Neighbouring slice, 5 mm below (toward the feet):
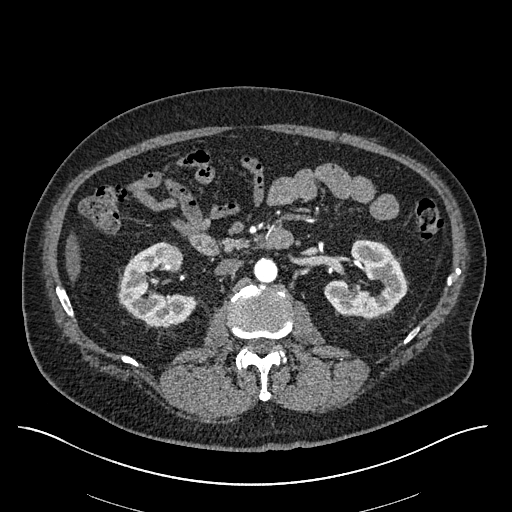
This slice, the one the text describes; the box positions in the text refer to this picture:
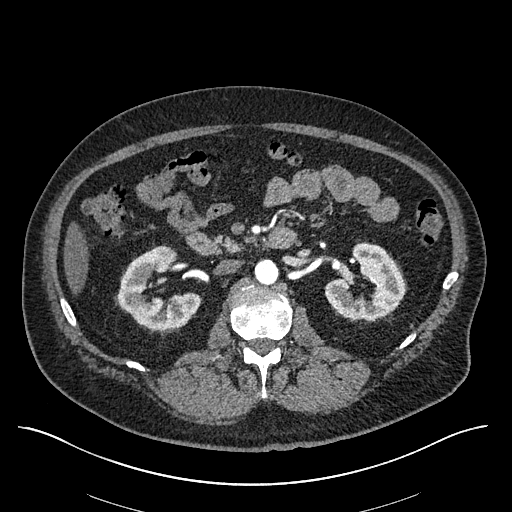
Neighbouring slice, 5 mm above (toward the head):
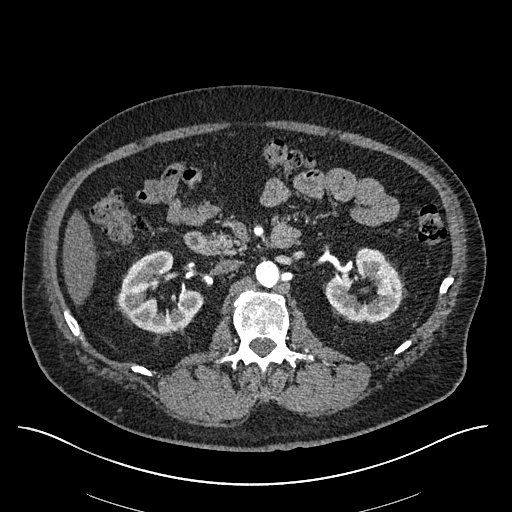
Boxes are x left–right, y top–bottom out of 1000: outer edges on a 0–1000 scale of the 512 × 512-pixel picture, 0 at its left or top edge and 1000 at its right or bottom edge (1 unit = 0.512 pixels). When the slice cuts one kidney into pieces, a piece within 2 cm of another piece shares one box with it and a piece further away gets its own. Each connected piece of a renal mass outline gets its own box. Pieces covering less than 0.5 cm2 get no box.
Arterial-phase contrast-enhanced abdominal CT, axial slice 333 of 670 (counted from the lowest slice); 1.00 mm thick, 0.861 mm per pixel. Boxed on this slice (two kidney boxes and one renal mass box), listed by box centre from the image's left to its right: (1) Box x 229–393, y 479–645 out of 1000: right kidney (outlined area 3,983 px, about 29.5 cm2). (2) Box x 320–352, y 486–514 out of 1000: right renal mass (outlined area 173 px, about 1.3 cm2). (3) Left kidney at x 635–793, y 473–627 out of 1000 (outlined area 4,084 px, about 30.3 cm2). This slice lies near the end of the right renal mass toward the head; the slices 5 mm below and 5 mm above it are shown too, and the boxes mark positions on this slice only.
Acquired at 120 kVp and reconstructed with the I30f kernel.